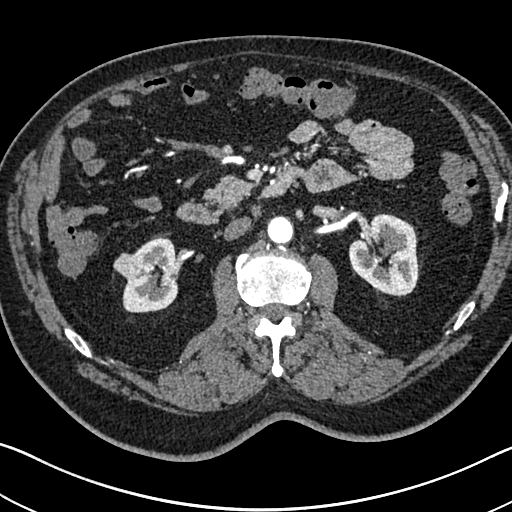
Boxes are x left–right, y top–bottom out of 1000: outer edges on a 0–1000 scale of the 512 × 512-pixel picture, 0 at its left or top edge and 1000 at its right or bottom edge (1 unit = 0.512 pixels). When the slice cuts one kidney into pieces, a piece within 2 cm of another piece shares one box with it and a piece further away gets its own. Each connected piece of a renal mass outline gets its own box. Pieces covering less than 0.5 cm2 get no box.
This is axial slice 409 of 705 (slice 1 is the lowest) of an arterial-phase abdominal CT with contrast; each pixel is 0.703 mm and the slice is 1.00 mm thick. Three boxes on this slice (two kidney boxes and one renal mass box), listed by box centre from the image's left to its right. (1) Right renal mass at x 221–283, y 492–547 out of 1000 (outlined area 616 px, about 3.0 cm2). (2) Right kidney at x 238–350, y 461–611 out of 1000 (outlined area 3,034 px, about 15.0 cm2). (3) Box x 680–822, y 416–582 out of 1000: left kidney (outlined area 4,376 px, about 21.6 cm2).
Tube voltage 120 kVp; convolution kernel I30f.